One axial slice (547 of 738, counting up from the lowest) of an arterial-phase abdominal CT acquired with 120 kVp, kernel I30f; each pixel is 0.789 mm and the slice is 1.00 mm thick.
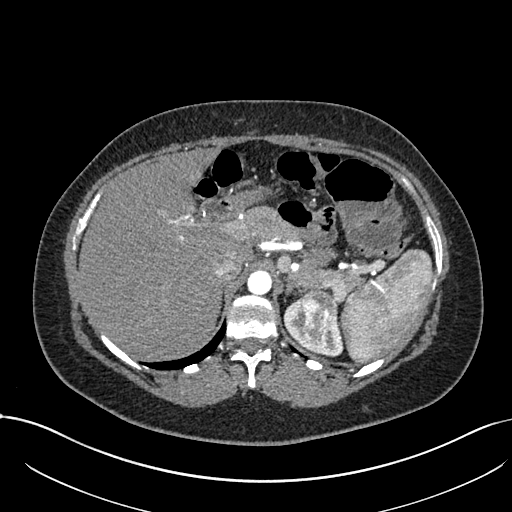
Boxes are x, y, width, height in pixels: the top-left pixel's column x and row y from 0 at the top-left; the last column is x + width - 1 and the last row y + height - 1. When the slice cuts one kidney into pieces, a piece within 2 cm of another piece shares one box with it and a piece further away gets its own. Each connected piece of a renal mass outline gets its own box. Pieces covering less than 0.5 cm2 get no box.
One kidney box and one renal mass box on this slice; by box centre, from the image's left to its right: (1) Left kidney, box x 284, y 299, width 59, height 59 (outlined area 1,271 px, about 7.9 cm2). (2) Left renal mass at x 298, y 290, width 39, height 56 (outlined area 1,651 px, about 10.3 cm2).